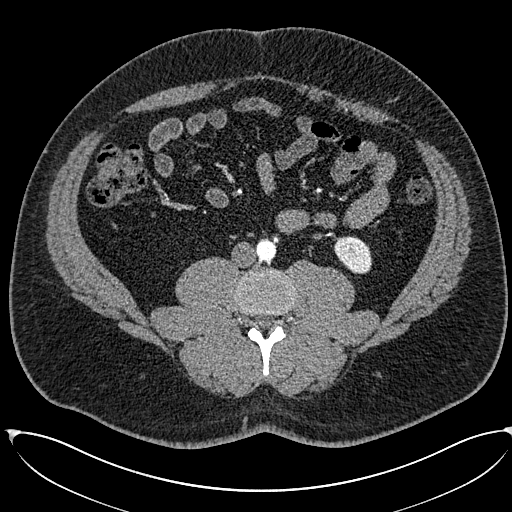
One axial slice (229 of 673, counting up from the lowest) of an arterial-phase abdominal CT acquired with 120 kVp, kernel I30f; each pixel is 0.855 mm and the slice is 1.00 mm thick.
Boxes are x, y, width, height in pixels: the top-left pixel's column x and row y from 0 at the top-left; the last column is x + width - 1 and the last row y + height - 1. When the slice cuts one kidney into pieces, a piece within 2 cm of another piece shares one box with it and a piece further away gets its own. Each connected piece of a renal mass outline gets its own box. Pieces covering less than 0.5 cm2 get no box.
Left kidney at x 334, y 236, width 39, height 38 (outlined area 1,103 px, about 8.1 cm2). No renal mass outline on this slice.